Axial slice 369 of 553 of a contrast-enhanced abdominal CT in the arterial phase (slice 1 is the lowest), 120 kVp, kernel B20f; 1.00 mm slice thickness and 0.773 mm pixels.
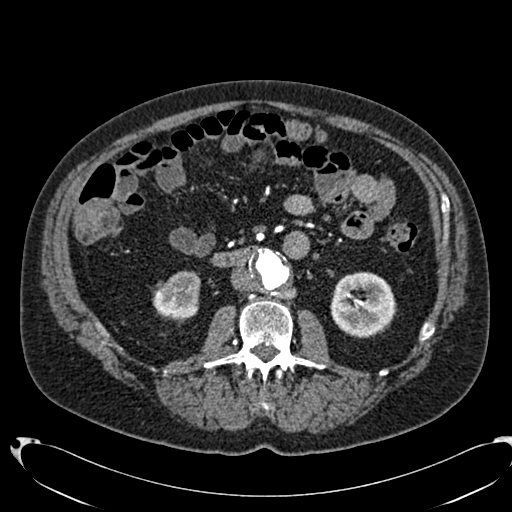
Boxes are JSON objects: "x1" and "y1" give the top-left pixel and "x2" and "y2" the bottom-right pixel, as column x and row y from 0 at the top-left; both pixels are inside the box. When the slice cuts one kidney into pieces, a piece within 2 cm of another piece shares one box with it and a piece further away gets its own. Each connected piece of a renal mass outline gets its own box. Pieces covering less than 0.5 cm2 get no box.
Two boxes on this slice (two kidney boxes), listed by box centre from the image's left to its right. (1) Right kidney at {"x1": 152, "y1": 270, "x2": 200, "y2": 321} (outlined area 1,869 px, about 11.2 cm2). (2) Box {"x1": 330, "y1": 271, "x2": 396, "y2": 337}: left kidney (outlined area 3,421 px, about 20.5 cm2). No renal mass outline on this slice.